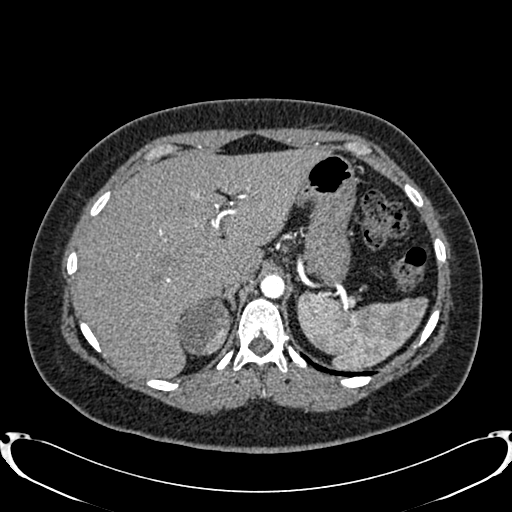
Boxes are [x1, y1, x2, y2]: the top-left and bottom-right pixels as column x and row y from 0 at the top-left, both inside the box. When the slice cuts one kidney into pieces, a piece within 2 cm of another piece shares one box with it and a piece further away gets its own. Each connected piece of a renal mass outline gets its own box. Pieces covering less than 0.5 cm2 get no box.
Slice 622/719 of a contrast-enhanced abdominal CT in the arterial phase, counting up from the lowest; pixel size 0.766 mm, slice thickness 1.00 mm. Right renal mass at [175, 297, 232, 356] (outlined area 2,531 px, about 14.8 cm2); no kidney is outlined on this slice, but the same outlined renal mass comes within 1 cm of the kidney on another slice.
Acquired at 120 kVp and reconstructed with the B20f kernel.